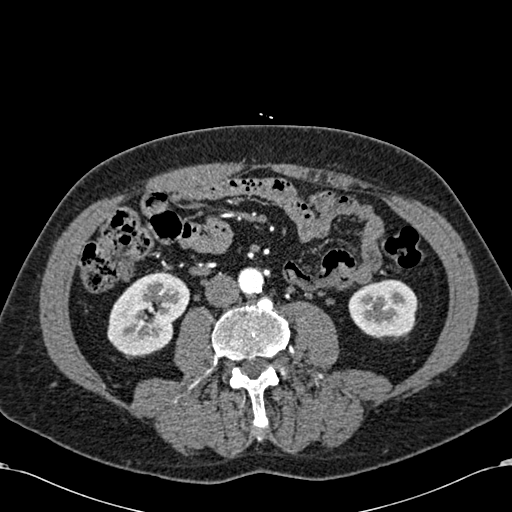
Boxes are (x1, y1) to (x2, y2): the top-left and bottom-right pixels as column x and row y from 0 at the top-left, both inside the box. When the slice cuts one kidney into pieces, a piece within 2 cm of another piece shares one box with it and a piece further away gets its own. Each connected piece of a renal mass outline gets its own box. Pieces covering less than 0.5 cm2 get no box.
Slice 253/581 of a contrast-enhanced abdominal CT in the arterial phase, counting up from the lowest; pixel size 0.713 mm, slice thickness 1.00 mm. Boxed on this slice (two kidney boxes), listed by box centre from the image's left to its right: (1) Right kidney, box (107, 271) to (190, 357) (outlined area 4,966 px, about 25.2 cm2). (2) Left kidney, box (348, 279) to (417, 338) (outlined area 3,247 px, about 16.5 cm2). No renal mass outline on this slice.
Tube voltage 120 kVp; convolution kernel B30f.